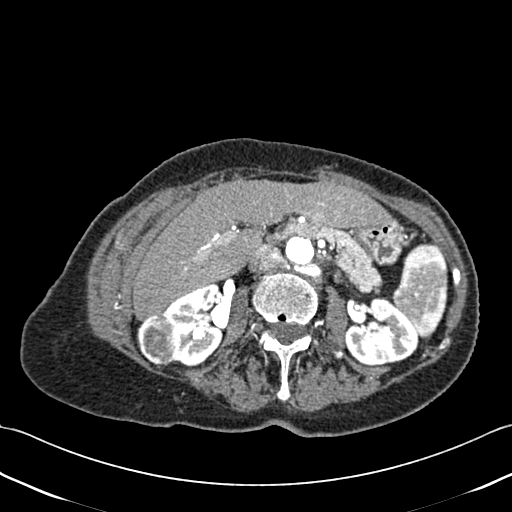
Abdominal CT with intravenous contrast, axial plane, 120 kVp, kernel B30f. Slice 245/433 from the bottom of the scan; thickness 1.00 mm; pixel size 0.672 mm.
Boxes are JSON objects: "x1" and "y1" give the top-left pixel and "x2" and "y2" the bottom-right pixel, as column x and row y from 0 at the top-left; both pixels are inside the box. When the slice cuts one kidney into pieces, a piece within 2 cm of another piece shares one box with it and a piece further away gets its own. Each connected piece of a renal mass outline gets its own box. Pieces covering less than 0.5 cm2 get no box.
Three boxes on this slice (two kidney boxes and one renal mass box), listed by box centre from the image's left to its right. (1) Right renal mass, box {"x1": 137, "y1": 312, "x2": 179, "y2": 365} (outlined area 1,816 px, about 8.2 cm2). (2) Right kidney, box {"x1": 162, "y1": 283, "x2": 223, "y2": 366} (outlined area 3,333 px, about 15.0 cm2). (3) Left kidney at {"x1": 345, "y1": 297, "x2": 418, "y2": 366} (outlined area 3,689 px, about 16.7 cm2).